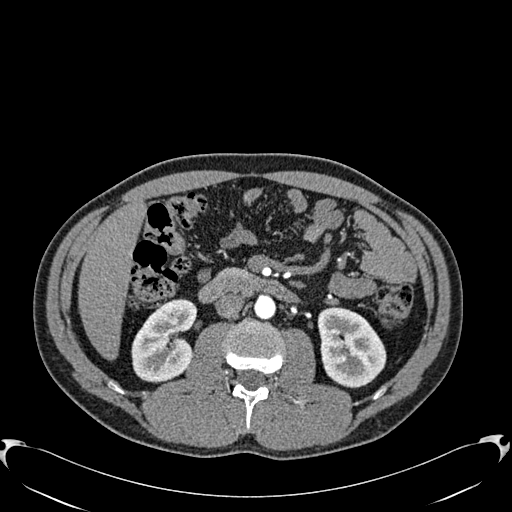
Arterial-phase contrast-enhanced abdominal CT, axial slice 330 of 512 (counted from the lowest slice); tube voltage 120 kVp, convolution kernel B30f; slices 1.00 mm thick, 0.771 mm per pixel.
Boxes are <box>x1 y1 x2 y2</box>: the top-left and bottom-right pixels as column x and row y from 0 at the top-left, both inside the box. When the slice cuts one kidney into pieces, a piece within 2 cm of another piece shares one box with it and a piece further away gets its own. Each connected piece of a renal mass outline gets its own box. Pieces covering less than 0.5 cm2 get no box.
Boxed on this slice (two kidney boxes), listed by box centre from the image's left to its right: (1) At <box>131 298 197 382</box>: right kidney (outlined area 4,027 px, about 24.0 cm2). (2) At <box>317 307 386 388</box>: left kidney (outlined area 4,238 px, about 25.2 cm2). This slice carries no renal mass outline.